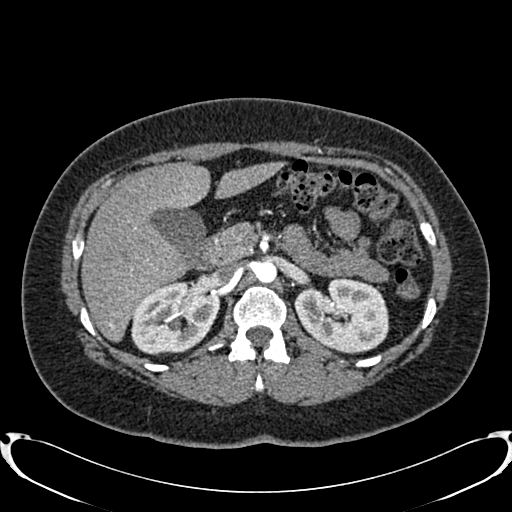
Arterial-phase contrast-enhanced abdominal CT, axial slice 517 of 719 (counted from the lowest slice); tube voltage 120 kVp, convolution kernel B20f; slices 1.00 mm thick, 0.766 mm per pixel.
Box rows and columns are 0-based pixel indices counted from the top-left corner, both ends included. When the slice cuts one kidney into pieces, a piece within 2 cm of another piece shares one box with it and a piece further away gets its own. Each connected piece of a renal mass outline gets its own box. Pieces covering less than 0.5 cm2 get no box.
Two boxes on this slice (two kidney boxes), listed by box centre from the image's left to its right. (1) Box rows 281–355, columns 131–220: right kidney (outlined area 4,945 px, about 29.0 cm2). (2) Left kidney at rows 276–353, columns 294–389 (outlined area 5,442 px, about 31.9 cm2). This slice carries no renal mass outline.